Abdominal CT with intravenous contrast, axial plane, 120 kVp, kernel B30f. Slice 65/92 from the bottom of the scan; thickness 5.00 mm; pixel size 0.918 mm.
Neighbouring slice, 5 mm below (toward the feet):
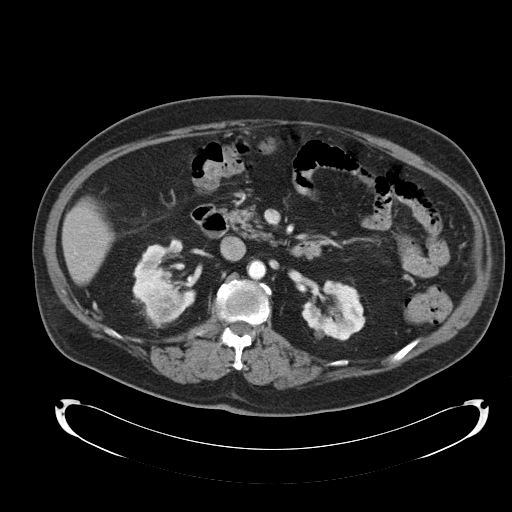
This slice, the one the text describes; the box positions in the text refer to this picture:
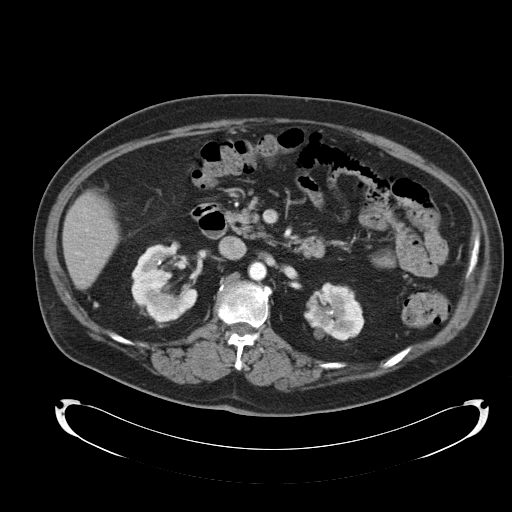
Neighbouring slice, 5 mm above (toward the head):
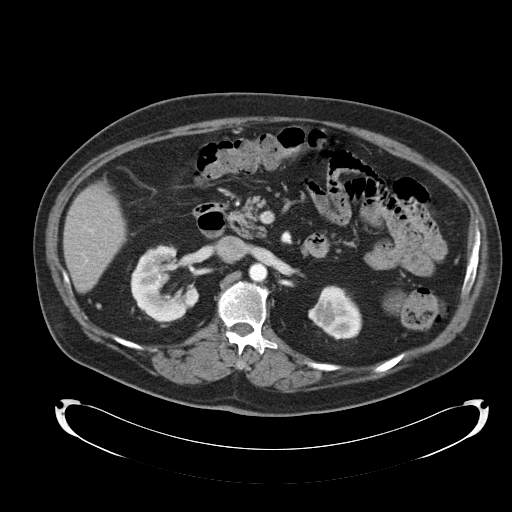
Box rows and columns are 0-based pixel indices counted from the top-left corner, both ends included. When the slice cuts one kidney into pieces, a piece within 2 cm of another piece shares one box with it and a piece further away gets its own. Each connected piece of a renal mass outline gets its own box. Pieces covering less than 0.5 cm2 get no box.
Three boxes on this slice (two kidney boxes and one renal mass box), listed by box centre from the image's left to its right. (1) Box rows 294–311, columns 150–175: right renal mass (outlined area 365 px, about 3.1 cm2). (2) Box rows 241–322, columns 131–197: right kidney (outlined area 3,314 px, about 27.9 cm2). (3) Left kidney, box rows 284–341, columns 303–364 (outlined area 2,552 px, about 21.5 cm2). This slice lies near the end of the right renal mass toward the head; the slices 5 mm below and 5 mm above it are shown too, and the boxes mark positions on this slice only.